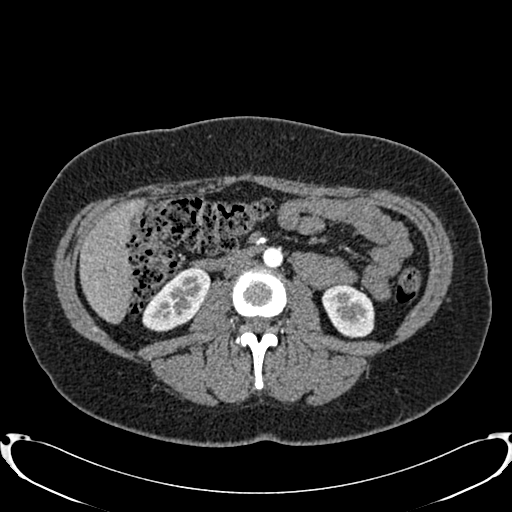
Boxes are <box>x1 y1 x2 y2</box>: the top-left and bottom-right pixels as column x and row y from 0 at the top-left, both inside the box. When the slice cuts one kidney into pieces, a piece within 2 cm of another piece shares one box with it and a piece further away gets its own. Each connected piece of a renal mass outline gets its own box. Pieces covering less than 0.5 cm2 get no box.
Arterial-phase contrast-enhanced abdominal CT, axial slice 406 of 719 (counted from the lowest slice); 1.00 mm thick, 0.766 mm per pixel. Two kidney boxes on this slice; by box centre, from the image's left to its right: (1) Right kidney at <box>142 267 210 332</box> (outlined area 2,830 px, about 16.6 cm2). (2) At <box>321 283 374 337</box>: left kidney (outlined area 2,212 px, about 13.0 cm2). This slice carries no renal mass outline.
Tube voltage 120 kVp; convolution kernel B20f.